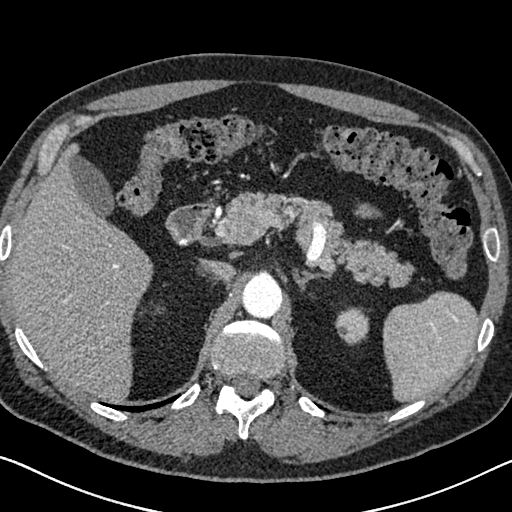
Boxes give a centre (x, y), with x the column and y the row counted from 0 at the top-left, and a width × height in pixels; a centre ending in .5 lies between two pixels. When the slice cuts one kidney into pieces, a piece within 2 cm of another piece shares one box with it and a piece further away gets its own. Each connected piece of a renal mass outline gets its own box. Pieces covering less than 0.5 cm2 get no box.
Arterial-phase contrast-enhanced abdominal CT, axial slice 487 of 626 (counted from the lowest slice); 1.00 mm thick, 0.703 mm per pixel. Box centre (351.5, 326), 34 × 39 pixels: left kidney (outlined area 998 px, about 4.9 cm2). This slice carries no renal mass outline.
Acquired at 120 kVp and reconstructed with the I30f kernel.